Axial slice 78 of 285 of a contrast-enhanced abdominal CT in the arterial phase (slice 1 is the lowest), 120 kVp, kernel B31f; 2.00 mm slice thickness and 0.762 mm pixels.
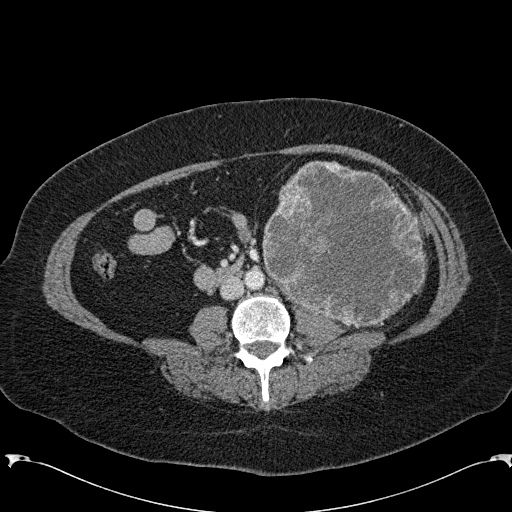
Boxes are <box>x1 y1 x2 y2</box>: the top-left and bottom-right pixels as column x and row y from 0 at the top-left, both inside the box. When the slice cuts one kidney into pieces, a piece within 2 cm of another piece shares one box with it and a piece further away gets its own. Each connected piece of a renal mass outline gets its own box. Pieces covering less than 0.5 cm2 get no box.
Left renal mass at <box>262 160 427 327</box> (outlined area 20,657 px, about 119.9 cm2); no kidney is outlined on this slice, but the same outlined renal mass comes within 1 cm of the kidney on another slice.